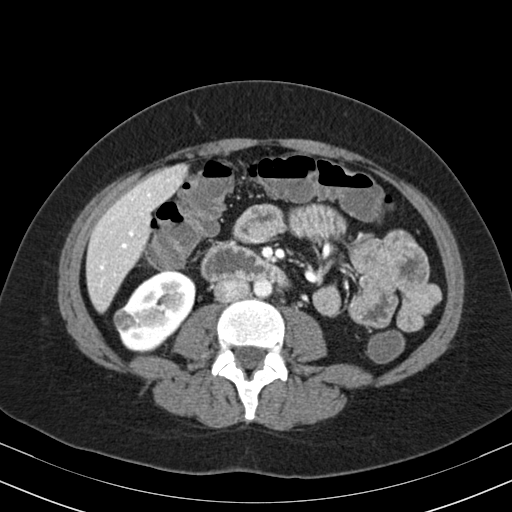
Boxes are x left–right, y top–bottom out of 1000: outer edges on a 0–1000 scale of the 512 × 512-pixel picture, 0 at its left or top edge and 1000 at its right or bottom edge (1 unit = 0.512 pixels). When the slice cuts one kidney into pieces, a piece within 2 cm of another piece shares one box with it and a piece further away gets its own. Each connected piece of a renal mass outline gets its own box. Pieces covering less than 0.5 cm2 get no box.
This is axial slice 97 of 164 (slice 1 is the lowest) of an arterial-phase abdominal CT with contrast; each pixel is 0.664 mm and the slice is 3.00 mm thick. Boxed on this slice (one kidney box and one renal mass box), listed by box centre from the image's left to its right: (1) Right renal mass at x 221–266, y 604–646 out of 1000 (outlined area 351 px, about 1.5 cm2). (2) Right kidney, box x 227–383, y 529–689 out of 1000 (outlined area 4,196 px, about 18.5 cm2).
Acquired at 130 kVp and reconstructed with the B30s kernel.